Axial slice 59 of 274 of a contrast-enhanced abdominal CT in the arterial phase (slice 1 is the lowest), 120 kVp, kernel B30f; 2.00 mm slice thickness and 0.809 mm pixels.
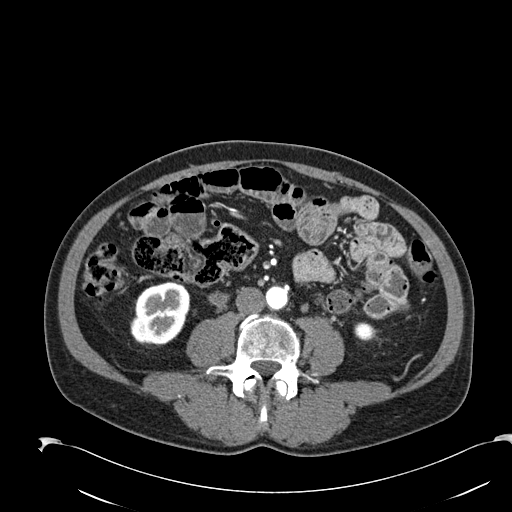
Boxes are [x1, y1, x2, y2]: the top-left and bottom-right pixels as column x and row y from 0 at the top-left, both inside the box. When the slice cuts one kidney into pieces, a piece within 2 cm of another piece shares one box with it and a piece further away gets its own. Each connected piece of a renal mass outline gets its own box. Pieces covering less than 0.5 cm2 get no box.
Two boxes on this slice (two kidney boxes), listed by box centre from the image's left to its right. (1) Box [130, 281, 190, 345]: right kidney (outlined area 2,927 px, about 19.1 cm2). (2) Box [354, 322, 377, 341]: left kidney (outlined area 364 px, about 2.4 cm2). No renal mass outline on this slice.